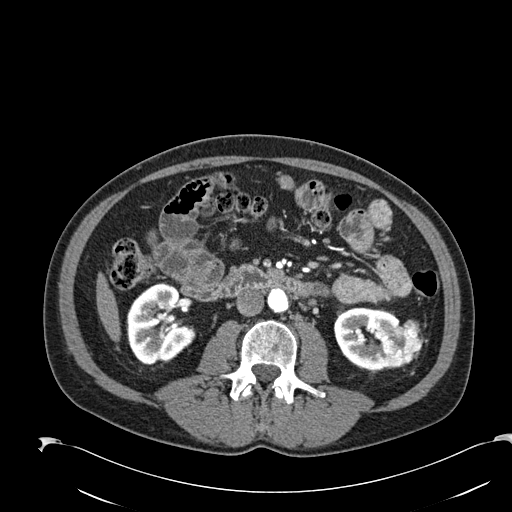
One axial slice (93 of 274, counting up from the lowest) of an arterial-phase abdominal CT acquired with 120 kVp, kernel B30f; each pixel is 0.809 mm and the slice is 2.00 mm thick.
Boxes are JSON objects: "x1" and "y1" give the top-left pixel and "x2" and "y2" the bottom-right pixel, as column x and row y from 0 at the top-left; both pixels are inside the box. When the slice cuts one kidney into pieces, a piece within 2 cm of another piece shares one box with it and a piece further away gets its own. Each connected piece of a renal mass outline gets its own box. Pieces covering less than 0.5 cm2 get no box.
Two kidney boxes and one renal mass box on this slice; by box centre, from the image's left to its right: (1) Box {"x1": 126, "y1": 284, "x2": 192, "y2": 364}: right kidney (outlined area 3,979 px, about 26.0 cm2). (2) Left kidney at {"x1": 333, "y1": 307, "x2": 399, "y2": 369} (outlined area 2,808 px, about 18.4 cm2). (3) Left renal mass at {"x1": 380, "y1": 319, "x2": 423, "y2": 369} (outlined area 1,546 px, about 10.1 cm2).